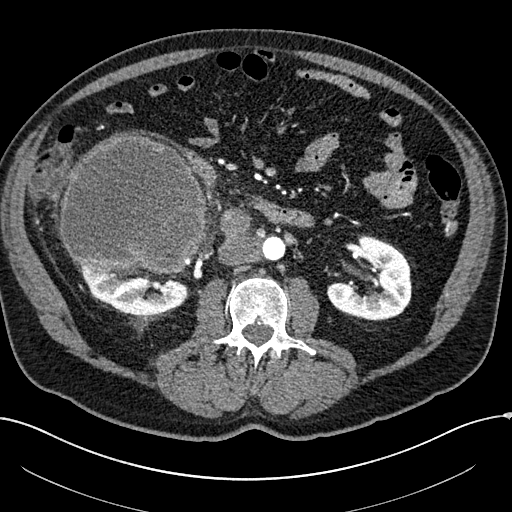
Axial slice 99 of 304 of a contrast-enhanced abdominal CT in the arterial phase (slice 1 is the lowest), 100 kVp, kernel I30f; 2.00 mm slice thickness and 0.809 mm pixels.
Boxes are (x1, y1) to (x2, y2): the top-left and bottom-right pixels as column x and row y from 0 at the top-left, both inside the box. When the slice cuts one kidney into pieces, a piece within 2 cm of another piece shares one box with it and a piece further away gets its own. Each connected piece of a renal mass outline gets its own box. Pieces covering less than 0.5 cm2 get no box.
Three boxes on this slice (two kidney boxes and one renal mass box), listed by box centre from the image's left to its right. (1) Right renal mass, box (58, 135) to (206, 274) (outlined area 16,463 px, about 107.6 cm2). (2) Right kidney from (78, 263) to (189, 315) (outlined area 3,734 px, about 24.4 cm2). (3) Left kidney, box (327, 234) to (411, 320) (outlined area 4,925 px, about 32.2 cm2).